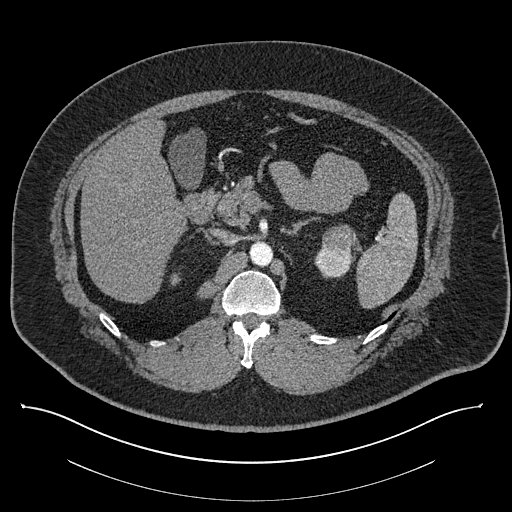
Abdominal CT with intravenous contrast, axial plane, 140 kVp, kernel I30f. Slice 554/787 from the bottom of the scan; thickness 1.00 mm; pixel size 0.910 mm.
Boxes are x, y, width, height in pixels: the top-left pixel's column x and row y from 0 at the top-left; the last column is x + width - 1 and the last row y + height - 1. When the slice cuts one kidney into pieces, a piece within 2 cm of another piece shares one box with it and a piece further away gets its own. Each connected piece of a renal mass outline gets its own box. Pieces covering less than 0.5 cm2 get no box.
Two kidney boxes and one renal mass box on this slice; by box centre, from the image's left to its right: (1) Right kidney, box x 170, y 273, width 12, height 13 (outlined area 110 px, about 0.9 cm2). (2) Box x 314, y 245, width 38, height 34: left kidney (outlined area 877 px, about 7.3 cm2). (3) Left renal mass at x 322, y 224, width 34, height 30 (outlined area 763 px, about 6.3 cm2).